Abdominal CT with intravenous contrast, arterial phase, axial plane, 120 kVp, kernel STANDARD. Slice 229/445 from the bottom of the scan; thickness 1.25 mm; pixel size 0.863 mm.
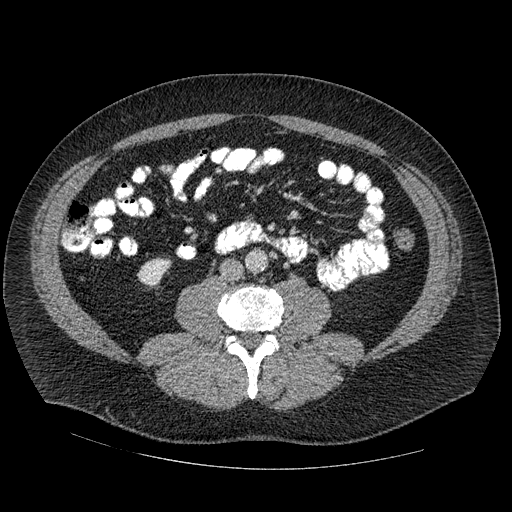
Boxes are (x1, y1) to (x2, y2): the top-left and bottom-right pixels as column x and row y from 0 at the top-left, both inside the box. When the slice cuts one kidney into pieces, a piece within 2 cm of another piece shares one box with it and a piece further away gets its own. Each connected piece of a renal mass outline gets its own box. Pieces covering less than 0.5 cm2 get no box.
Right kidney, box (136, 257) to (172, 287) (outlined area 743 px, about 5.5 cm2). No renal mass outline on this slice.